One axial slice (171 of 433, counting up from the lowest) of a contrast-enhanced abdominal CT acquired with 120 kVp, kernel B30f; each pixel is 0.672 mm and the slice is 1.00 mm thick.
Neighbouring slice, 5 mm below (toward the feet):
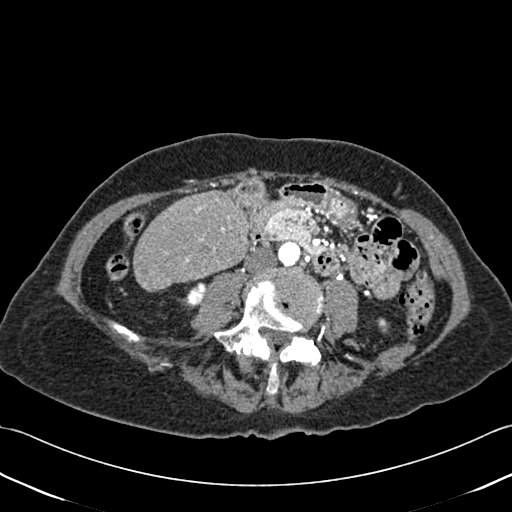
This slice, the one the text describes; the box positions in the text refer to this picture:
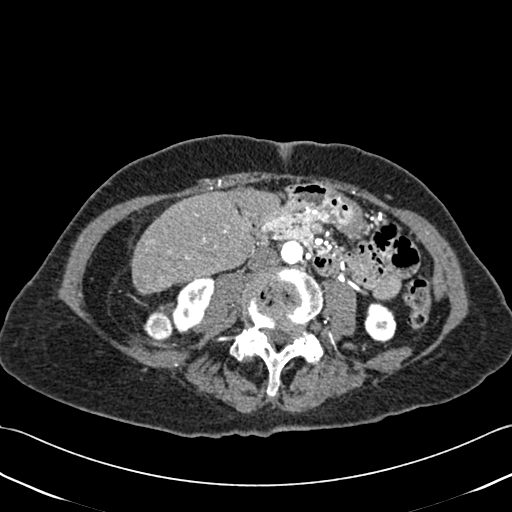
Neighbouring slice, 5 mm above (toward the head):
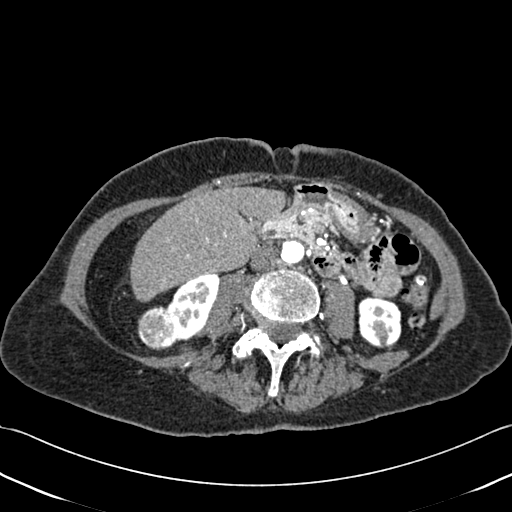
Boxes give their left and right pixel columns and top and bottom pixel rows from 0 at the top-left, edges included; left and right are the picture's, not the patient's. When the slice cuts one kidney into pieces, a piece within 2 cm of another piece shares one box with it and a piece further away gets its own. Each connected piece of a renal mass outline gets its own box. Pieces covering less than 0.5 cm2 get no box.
Boxed on this slice (two kidney boxes and one renal mass box), listed by box centre from the image's left to its right: (1) Right renal mass in the box with left 143, top 311, right 172, bottom 340 (outlined area 669 px, about 3.0 cm2). (2) Box with left 171, top 276, right 213, bottom 333: right kidney (outlined area 1,602 px, about 7.2 cm2). (3) Box with left 364, top 302, right 396, bottom 342: left kidney (outlined area 1,028 px, about 4.6 cm2). This slice is near the end of the right renal mass toward the feet, so the slices 5 mm below and 5 mm above it are shown as well; the boxes refer to this slice only.